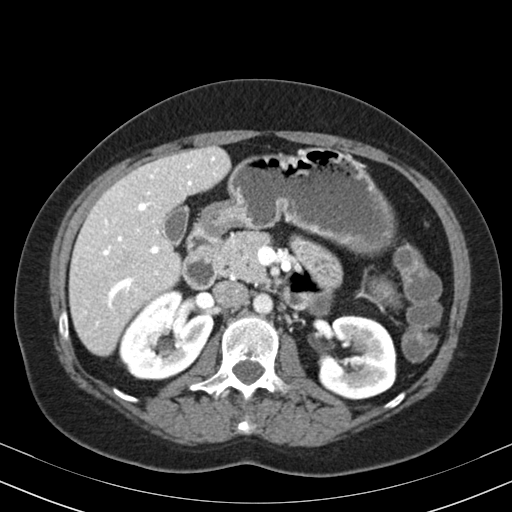
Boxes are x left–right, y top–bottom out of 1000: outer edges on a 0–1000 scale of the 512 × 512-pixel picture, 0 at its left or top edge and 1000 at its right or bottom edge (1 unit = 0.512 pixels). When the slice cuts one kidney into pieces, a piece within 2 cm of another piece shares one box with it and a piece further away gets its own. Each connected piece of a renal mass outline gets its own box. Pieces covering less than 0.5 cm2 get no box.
Arterial-phase contrast-enhanced abdominal CT, axial slice 116 of 164 (counted from the lowest slice); 3.00 mm thick, 0.664 mm per pixel. Two boxes on this slice (two kidney boxes), listed by box centre from the image's left to its right. (1) Box x 230–418, y 564–744 out of 1000: right kidney (outlined area 6,025 px, about 26.6 cm2). (2) Left kidney at x 619–775, y 615–781 out of 1000 (outlined area 5,268 px, about 23.2 cm2). No renal mass outline on this slice.
Acquired at 130 kVp and reconstructed with the B30s kernel.